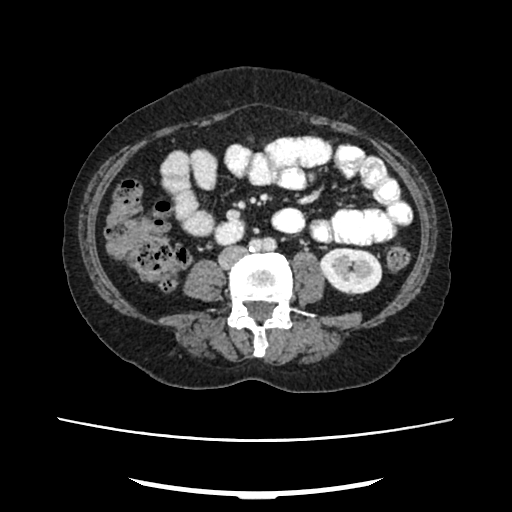
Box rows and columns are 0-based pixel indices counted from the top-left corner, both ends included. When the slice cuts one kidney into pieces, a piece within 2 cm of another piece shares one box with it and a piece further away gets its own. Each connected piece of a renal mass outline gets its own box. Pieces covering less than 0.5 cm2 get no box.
Arterial-phase contrast-enhanced abdominal CT, axial slice 109 of 207 (counted from the lowest slice); 2.00 mm thick, 0.741 mm per pixel. Two kidney boxes on this slice; by box centre, from the image's left to its right: (1) Right kidney, box rows 220–245, columns 213–245 (outlined area 692 px, about 3.8 cm2). (2) Left kidney, box rows 247–294, columns 319–382 (outlined area 2,349 px, about 12.9 cm2). This slice carries no renal mass outline.
Tube voltage 120 kVp; convolution kernel FC18.